Axial slice 397 of 738 of a contrast-enhanced abdominal CT in the arterial phase (slice 1 is the lowest), 120 kVp, kernel I30f; 1.00 mm slice thickness and 0.789 mm pixels.
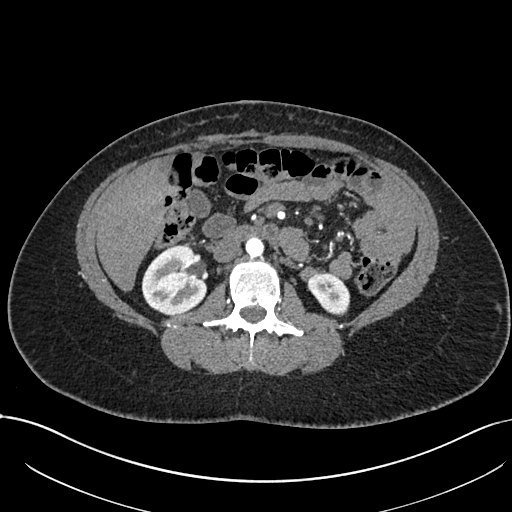
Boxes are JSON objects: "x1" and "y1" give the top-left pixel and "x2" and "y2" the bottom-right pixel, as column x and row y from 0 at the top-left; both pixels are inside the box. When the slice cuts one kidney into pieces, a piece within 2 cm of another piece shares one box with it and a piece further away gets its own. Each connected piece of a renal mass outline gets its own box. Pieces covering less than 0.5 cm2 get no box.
Two boxes on this slice (two kidney boxes), listed by box centre from the image's left to its right. (1) Box {"x1": 141, "y1": 244, "x2": 207, "y2": 315}: right kidney (outlined area 3,504 px, about 21.8 cm2). (2) Left kidney, box {"x1": 308, "y1": 271, "x2": 350, "y2": 315} (outlined area 1,359 px, about 8.5 cm2). No renal mass is outlined on this slice.